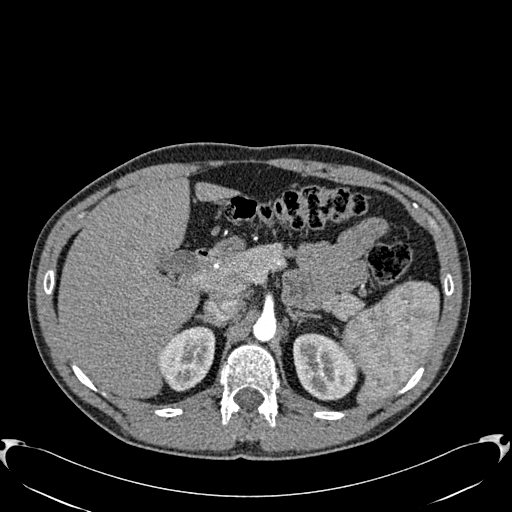
One axial slice (424 of 512, counting up from the lowest) of an arterial-phase abdominal CT acquired with 120 kVp, kernel B30f; each pixel is 0.771 mm and the slice is 1.00 mm thick.
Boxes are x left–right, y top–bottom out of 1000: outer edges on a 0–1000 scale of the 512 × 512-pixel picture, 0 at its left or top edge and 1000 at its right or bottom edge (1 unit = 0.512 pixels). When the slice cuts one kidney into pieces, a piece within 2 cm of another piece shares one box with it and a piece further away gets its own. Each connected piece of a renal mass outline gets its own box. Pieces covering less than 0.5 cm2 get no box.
Two kidney boxes on this slice; by box centre, from the image's left to its right: (1) Right kidney, box x 309–422, y 637–766 out of 1000 (outlined area 2,757 px, about 16.4 cm2). (2) Left kidney, box x 572–697, y 650–783 out of 1000 (outlined area 3,291 px, about 19.6 cm2).